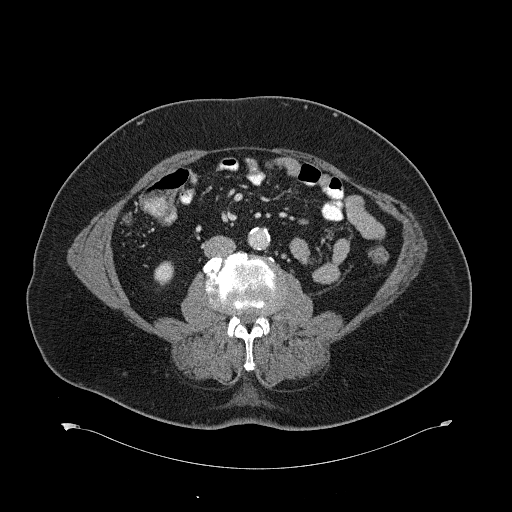
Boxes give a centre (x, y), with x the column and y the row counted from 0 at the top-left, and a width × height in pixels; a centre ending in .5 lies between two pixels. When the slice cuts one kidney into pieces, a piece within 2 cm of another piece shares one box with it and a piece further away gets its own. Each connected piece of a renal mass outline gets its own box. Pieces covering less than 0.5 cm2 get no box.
Contrast-enhanced abdominal CT, axial slice 306 of 734 (counted from the lowest slice); 2.00 mm thick, 0.971 mm per pixel. Right kidney, box centre (164, 273), 21 × 25 pixels (outlined area 381 px, about 3.6 cm2). No renal mass is outlined on this slice.
Tube voltage 120 kVp; convolution kernel B31f.